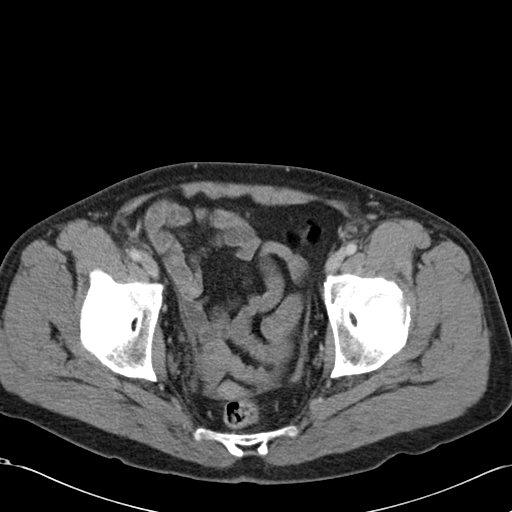
Arterial-phase contrast-enhanced abdominal CT, axial slice 21 of 99 (counted from the lowest slice); tube voltage 120 kVp, convolution kernel B30f; slices 5.00 mm thick, 0.693 mm per pixel.
No kidney and no renal mass is outlined on this slice; the outlines in this scan cover only the kidneys and the renal masses, so nothing is said about any other organ.